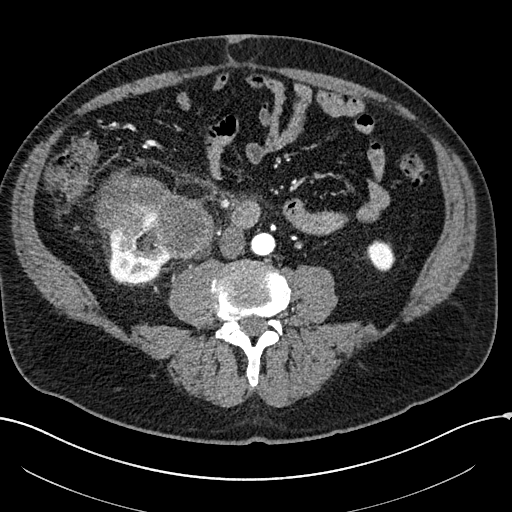
Arterial-phase contrast-enhanced abdominal CT, axial slice 46 of 304 (counted from the lowest slice); tube voltage 100 kVp, convolution kernel I30f; slices 2.00 mm thick, 0.809 mm per pixel.
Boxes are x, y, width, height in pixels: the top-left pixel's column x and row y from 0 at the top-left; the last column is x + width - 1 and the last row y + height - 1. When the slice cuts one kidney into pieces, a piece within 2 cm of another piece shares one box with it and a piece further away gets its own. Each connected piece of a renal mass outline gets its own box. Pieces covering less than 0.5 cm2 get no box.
Boxed on this slice (two kidney boxes and one renal mass box), listed by box centre from the image's left to its right: (1) Right kidney, box x 102, y 213, width 69, height 71 (outlined area 2,861 px, about 18.7 cm2). (2) Box x 94, y 168, width 121, height 93: right renal mass (outlined area 6,454 px, about 42.2 cm2). (3) Left kidney at x 365, y 240, width 31, height 32 (outlined area 695 px, about 4.5 cm2).